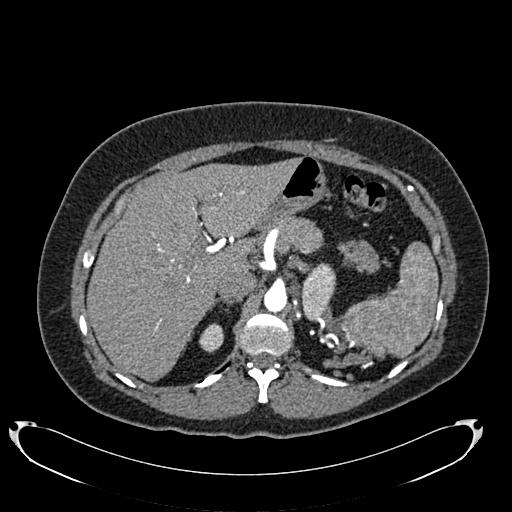
Axial slice 535 of 634 of a contrast-enhanced abdominal CT in the arterial phase (slice 1 is the lowest), 120 kVp, kernel B20f; 1.00 mm slice thickness and 0.838 mm pixels.
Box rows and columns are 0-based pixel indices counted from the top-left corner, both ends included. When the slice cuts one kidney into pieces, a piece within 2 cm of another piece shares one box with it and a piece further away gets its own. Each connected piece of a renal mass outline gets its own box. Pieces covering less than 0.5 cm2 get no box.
Two boxes on this slice (two kidney boxes), listed by box centre from the image's left to its right. (1) Box rows 323–352, columns 199–223: right kidney (outlined area 543 px, about 3.8 cm2). (2) Box rows 263–321, columns 301–336: left kidney (outlined area 1,471 px, about 10.3 cm2). No renal mass outline on this slice.